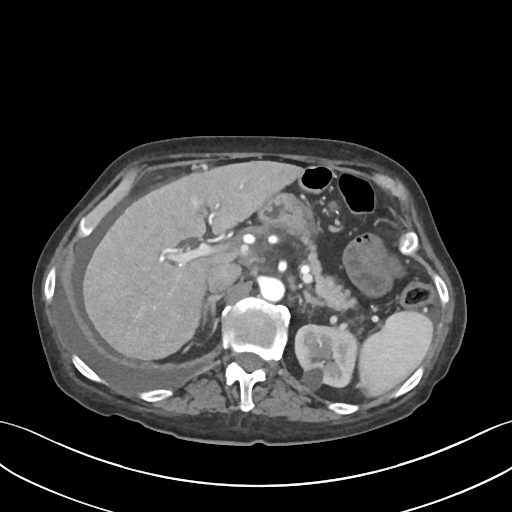
Axial slice 60 of 109 of a contrast-enhanced abdominal CT (slice 1 is the lowest), 120 kVp, kernel I30f; 3.00 mm slice thickness and 0.742 mm pixels.
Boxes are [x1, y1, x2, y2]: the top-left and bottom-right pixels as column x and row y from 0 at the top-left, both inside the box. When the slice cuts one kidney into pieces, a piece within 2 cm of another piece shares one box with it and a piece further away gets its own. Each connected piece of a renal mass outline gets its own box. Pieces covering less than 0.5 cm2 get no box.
Left kidney at [294, 324, 357, 390] (outlined area 3,515 px, about 19.4 cm2). No renal mass outline on this slice.